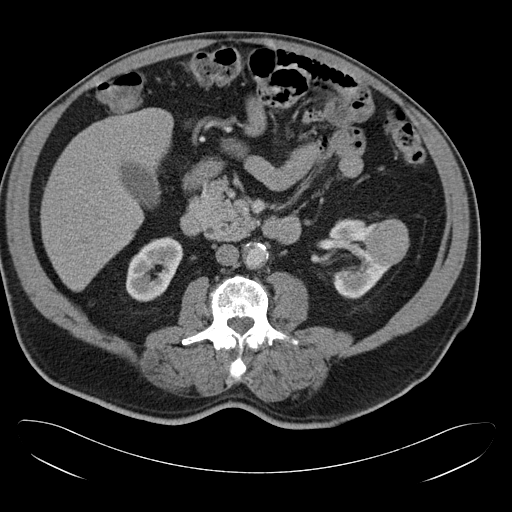
One axial slice (15 of 34, counting up from the lowest) of an arterial-phase abdominal CT acquired with 120 kVp, kernel B30f; each pixel is 0.830 mm and the slice is 5.00 mm thick.
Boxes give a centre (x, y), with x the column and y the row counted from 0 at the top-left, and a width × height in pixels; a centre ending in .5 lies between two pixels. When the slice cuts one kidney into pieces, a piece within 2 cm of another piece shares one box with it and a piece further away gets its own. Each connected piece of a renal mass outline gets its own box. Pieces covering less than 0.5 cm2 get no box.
Three boxes on this slice (two kidney boxes and one renal mass box), listed by box centre from the image's left to its right. (1) Box centre (154, 268.5), 59 × 66 pixels: right kidney (outlined area 2,548 px, about 17.6 cm2). (2) Left kidney, box centre (359, 258), 63 × 81 pixels (outlined area 2,775 px, about 19.1 cm2). (3) Box centre (387, 241.5), 45 × 48 pixels: left renal mass (outlined area 1,643 px, about 11.3 cm2).